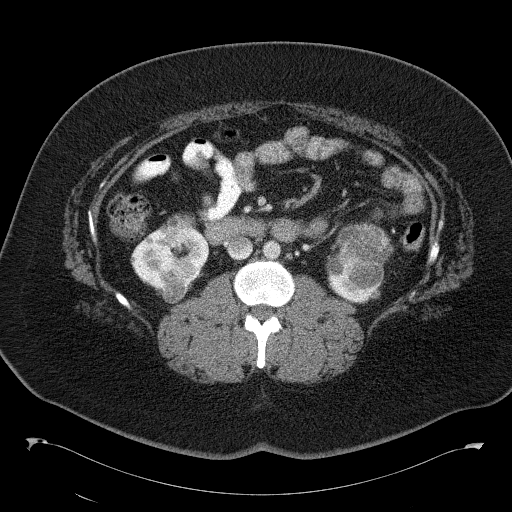
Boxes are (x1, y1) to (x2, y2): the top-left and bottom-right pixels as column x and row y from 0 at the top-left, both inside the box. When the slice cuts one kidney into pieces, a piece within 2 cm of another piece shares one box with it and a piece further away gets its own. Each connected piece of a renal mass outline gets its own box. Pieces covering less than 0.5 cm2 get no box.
Slice 71/146 of a contrast-enhanced abdominal CT, counting up from the lowest; pixel size 0.840 mm, slice thickness 5.00 mm. Six boxes on this slice (two kidney boxes and four renal mass boxes), listed by box centre from the image's left to its right. (1) Box (130, 224) to (208, 293): kidney (outlined area 3,131 px, about 22.1 cm2). (2) Renal mass, box (160, 257) to (185, 273) (outlined area 340 px, about 2.4 cm2). (3) Box (161, 278) to (187, 303): renal mass (outlined area 521 px, about 3.7 cm2). (4) Renal mass, box (166, 214) to (195, 234) (outlined area 477 px, about 3.4 cm2). (5) Kidney from (326, 252) to (383, 302) (outlined area 1,958 px, about 13.8 cm2). (6) Box (336, 224) to (392, 264): renal mass (outlined area 1,809 px, about 12.8 cm2).
Tube voltage 120 kVp; convolution kernel B41f.